Axial slice 571 of 987 of a contrast-enhanced abdominal CT in the arterial phase (slice 1 is the lowest), 120 kVp, kernel I26f; 1.00 mm slice thickness and 0.977 mm pixels.
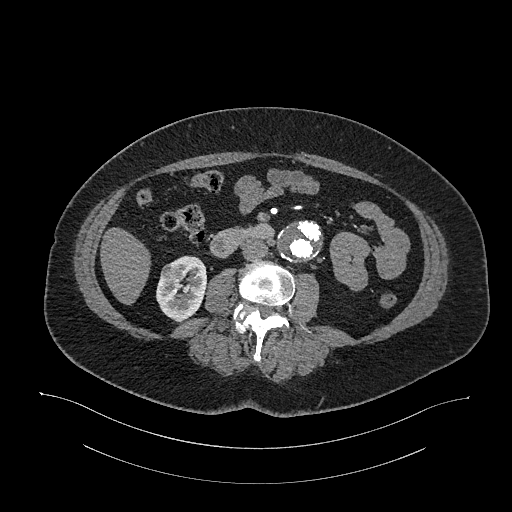
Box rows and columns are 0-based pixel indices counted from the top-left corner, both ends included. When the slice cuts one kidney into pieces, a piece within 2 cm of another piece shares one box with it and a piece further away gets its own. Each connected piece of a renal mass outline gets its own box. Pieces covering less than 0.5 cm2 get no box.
Two boxes on this slice (one kidney box and one renal mass box), listed by box centre from the image's left to its right. (1) Right renal mass at rows 262–280, columns 160–183 (outlined area 316 px, about 3.0 cm2). (2) Right kidney, box rows 255–322, columns 156–207 (outlined area 2,276 px, about 21.7 cm2).